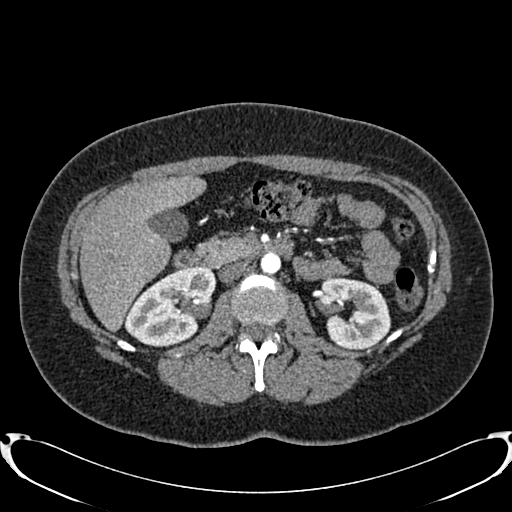
One axial slice (466 of 719, counting up from the lowest) of an arterial-phase abdominal CT acquired with 120 kVp, kernel B20f; each pixel is 0.766 mm and the slice is 1.00 mm thick.
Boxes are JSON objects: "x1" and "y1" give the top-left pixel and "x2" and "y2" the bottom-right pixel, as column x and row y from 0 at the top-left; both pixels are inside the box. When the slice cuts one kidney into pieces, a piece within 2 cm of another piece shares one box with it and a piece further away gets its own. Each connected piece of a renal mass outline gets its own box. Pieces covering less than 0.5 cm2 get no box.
Two kidney boxes on this slice; by box centre, from the image's left to its right: (1) Right kidney at {"x1": 124, "y1": 266, "x2": 214, "y2": 347} (outlined area 5,082 px, about 29.8 cm2). (2) Left kidney, box {"x1": 320, "y1": 277, "x2": 390, "y2": 350} (outlined area 3,936 px, about 23.1 cm2). No renal mass is outlined on this slice.